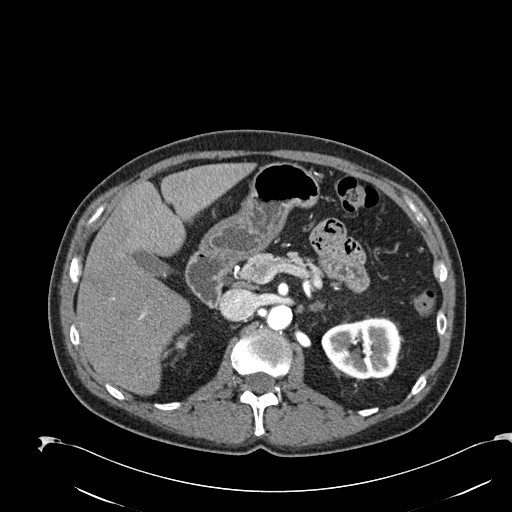
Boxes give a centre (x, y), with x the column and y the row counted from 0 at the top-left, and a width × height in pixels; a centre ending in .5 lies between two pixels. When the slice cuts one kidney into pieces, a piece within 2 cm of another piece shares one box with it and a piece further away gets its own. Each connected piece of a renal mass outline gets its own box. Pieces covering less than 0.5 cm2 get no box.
Arterial-phase contrast-enhanced abdominal CT, axial slice 144 of 274 (counted from the lowest slice); 2.00 mm thick, 0.809 mm per pixel. Boxed on this slice (two kidney boxes), listed by box centre from the image's left to its right: (1) Box centre (181, 343), 13 × 15 pixels: right kidney (outlined area 136 px, about 0.9 cm2). (2) Box centre (360.5, 348), 80 × 63 pixels: left kidney (outlined area 3,908 px, about 25.6 cm2). This slice carries no renal mass outline.
Tube voltage 120 kVp; convolution kernel B30f.